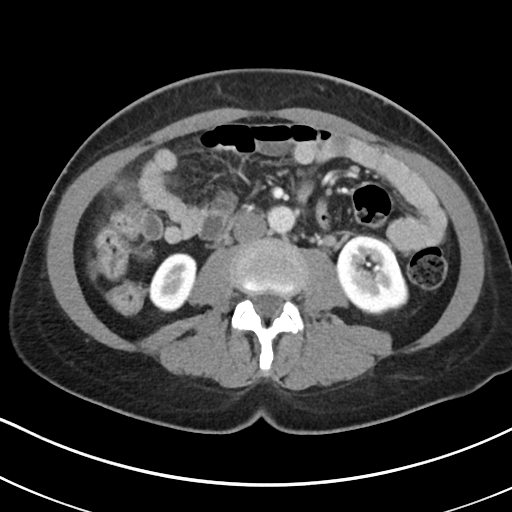
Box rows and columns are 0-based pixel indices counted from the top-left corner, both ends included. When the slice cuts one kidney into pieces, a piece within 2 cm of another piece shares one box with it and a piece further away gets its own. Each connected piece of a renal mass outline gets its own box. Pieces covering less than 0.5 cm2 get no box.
Slice 98/178 of a contrast-enhanced abdominal CT, counting up from the lowest; pixel size 0.650 mm, slice thickness 5.00 mm. Two kidney boxes on this slice; by box centre, from the image's left to its right: (1) Box rows 252–312, columns 149–197: right kidney (outlined area 2,142 px, about 9.1 cm2). (2) Left kidney, box rows 234–315, columns 336–408 (outlined area 4,389 px, about 18.6 cm2). No renal mass outline on this slice.
Tube voltage 100 kVp; convolution kernel I30f.